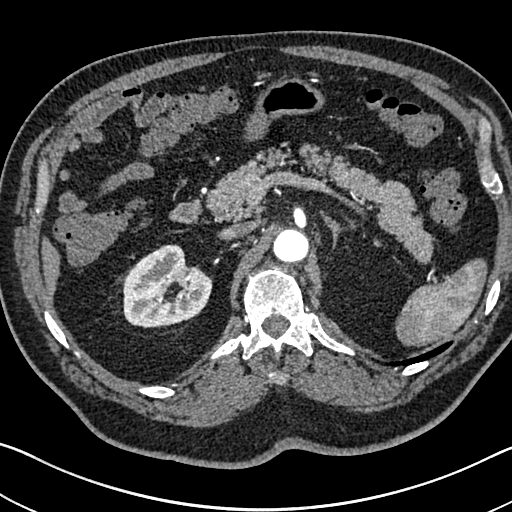
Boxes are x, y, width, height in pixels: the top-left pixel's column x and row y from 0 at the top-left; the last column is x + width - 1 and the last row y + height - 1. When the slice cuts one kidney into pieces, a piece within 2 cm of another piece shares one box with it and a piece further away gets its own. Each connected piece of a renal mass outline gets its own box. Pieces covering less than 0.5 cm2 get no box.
Slice 487/705 of a contrast-enhanced abdominal CT in the arterial phase, counting up from the lowest; pixel size 0.703 mm, slice thickness 1.00 mm. Box x 122, y 244, width 91, height 85: right kidney (outlined area 5,460 px, about 27.0 cm2). No renal mass is outlined on this slice.
Acquired at 120 kVp and reconstructed with the I30f kernel.